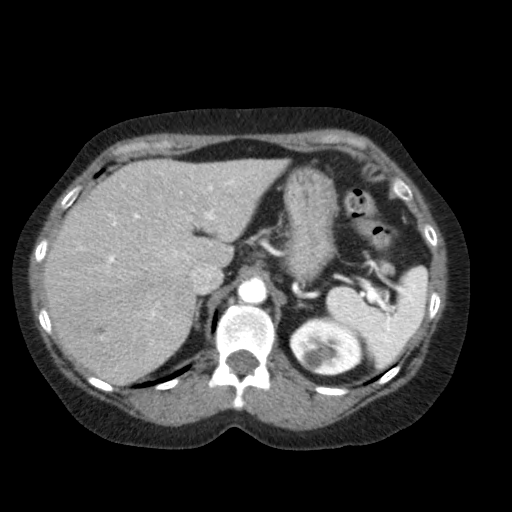
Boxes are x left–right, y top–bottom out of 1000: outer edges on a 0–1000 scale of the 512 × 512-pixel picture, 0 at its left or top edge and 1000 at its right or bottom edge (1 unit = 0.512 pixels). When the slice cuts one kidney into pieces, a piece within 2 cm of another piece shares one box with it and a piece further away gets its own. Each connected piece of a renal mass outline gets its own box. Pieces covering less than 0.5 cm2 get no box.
Arterial-phase contrast-enhanced abdominal CT, axial slice 68 of 79 (counted from the lowest slice); 5.00 mm thick, 0.686 mm per pixel. Two boxes on this slice (one kidney box and one renal mass box), listed by box centre from the image's left to its right. (1) Left renal mass at x 588–631, y 682–721 out of 1000 (outlined area 338 px, about 1.6 cm2). (2) Left kidney, box x 564–711, y 617–734 out of 1000 (outlined area 2,891 px, about 13.6 cm2).
Acquired at 120 kVp and reconstructed with the FC11 kernel.